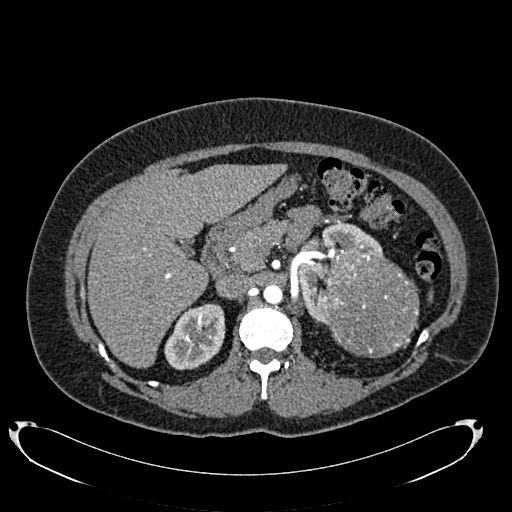
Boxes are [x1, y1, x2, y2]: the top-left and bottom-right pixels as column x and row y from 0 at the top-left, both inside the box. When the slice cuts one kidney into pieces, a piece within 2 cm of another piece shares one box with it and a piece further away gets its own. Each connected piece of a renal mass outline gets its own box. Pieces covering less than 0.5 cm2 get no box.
Slice 484/634 of a contrast-enhanced abdominal CT in the arterial phase, counting up from the lowest; pixel size 0.838 mm, slice thickness 1.00 mm. Three boxes on this slice (two kidney boxes and one renal mass box), listed by box centre from the image's left to its right. (1) Box [164, 303, 225, 370]: right kidney (outlined area 3,019 px, about 21.2 cm2). (2) Box [296, 222, 383, 325]: left kidney (outlined area 3,616 px, about 25.4 cm2). (3) Left renal mass, box [325, 254, 419, 357] (outlined area 7,812 px, about 54.8 cm2).
Scan settings: 120 kVp, B20f reconstruction kernel.